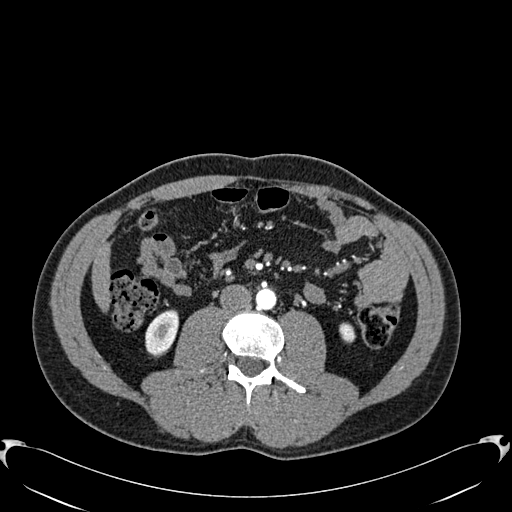
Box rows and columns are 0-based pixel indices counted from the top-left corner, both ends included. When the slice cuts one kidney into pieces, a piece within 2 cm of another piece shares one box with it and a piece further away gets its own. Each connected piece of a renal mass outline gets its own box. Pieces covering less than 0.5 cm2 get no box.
Arterial-phase contrast-enhanced abdominal CT, axial slice 272 of 512 (counted from the lowest slice); 1.00 mm thick, 0.771 mm per pixel. Boxed on this slice (two kidney boxes), listed by box centre from the image's left to its right: (1) Right kidney, box rows 309–356, columns 145–178 (outlined area 1,179 px, about 7.0 cm2). (2) Left kidney, box rows 322–343, columns 339–355 (outlined area 279 px, about 1.7 cm2). No renal mass is outlined on this slice.
Scan settings: 120 kVp, B30f reconstruction kernel.